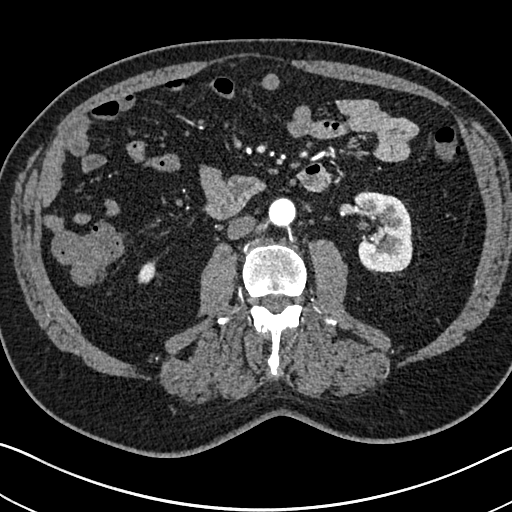
One axial slice (349 of 705, counting up from the lowest) of an arterial-phase abdominal CT acquired with 120 kVp, kernel I30f; each pixel is 0.703 mm and the slice is 1.00 mm thick.
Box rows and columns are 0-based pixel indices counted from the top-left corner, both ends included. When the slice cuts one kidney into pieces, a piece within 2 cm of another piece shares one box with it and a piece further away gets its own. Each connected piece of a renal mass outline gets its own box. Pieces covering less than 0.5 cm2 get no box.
Two kidney boxes on this slice; by box centre, from the image's left to its right: (1) Right kidney at rows 261–283, columns 137–155 (outlined area 301 px, about 1.5 cm2). (2) Box rows 191–273, columns 353–412: left kidney (outlined area 3,870 px, about 19.1 cm2). No renal mass outline on this slice.